Axial slice 93 of 261 of a contrast-enhanced abdominal CT in the arterial phase (slice 1 is the lowest), 120 kVp, kernel I30f; 2.00 mm slice thickness and 0.939 mm pixels.
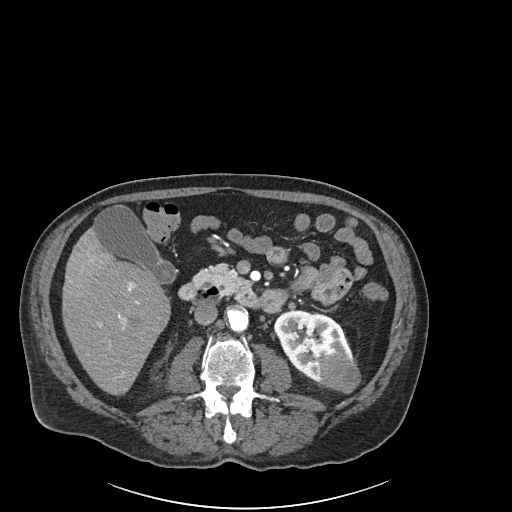
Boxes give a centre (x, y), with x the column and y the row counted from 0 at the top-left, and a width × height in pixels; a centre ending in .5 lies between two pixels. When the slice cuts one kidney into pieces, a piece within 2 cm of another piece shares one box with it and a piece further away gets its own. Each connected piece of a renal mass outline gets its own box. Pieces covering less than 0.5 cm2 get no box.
Two boxes on this slice (one kidney box and one renal mass box), listed by box centre from the image's left to its right. (1) Left kidney in a box with centre (313, 348), 81 × 77 pixels (outlined area 3,380 px, about 29.8 cm2). (2) Left renal mass in a box with centre (340, 372), 43 × 43 pixels (outlined area 1,338 px, about 11.8 cm2).